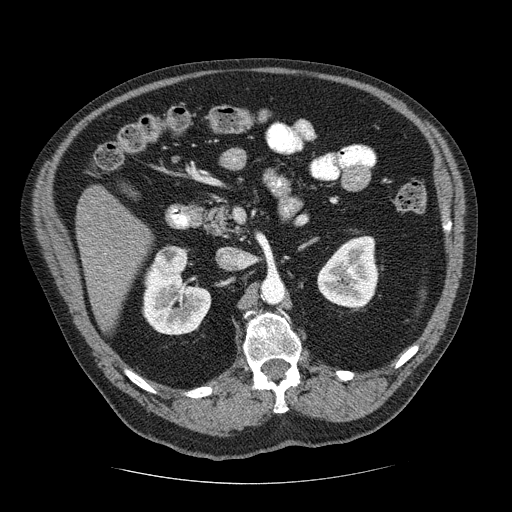
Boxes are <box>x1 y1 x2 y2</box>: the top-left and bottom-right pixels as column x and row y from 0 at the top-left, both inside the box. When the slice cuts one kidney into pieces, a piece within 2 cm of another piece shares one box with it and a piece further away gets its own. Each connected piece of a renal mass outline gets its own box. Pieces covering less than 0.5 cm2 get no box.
This is axial slice 141 of 206 (slice 1 is the lowest) of an abdominal CT with contrast; each pixel is 0.879 mm and the slice is 2.50 mm thick. Two kidney boxes and one renal mass box on this slice; by box centre, from the image's left to its right: (1) Right renal mass at <box>152 244 187 279</box> (outlined area 901 px, about 7.0 cm2). (2) At <box>141 264 211 335</box>: right kidney (outlined area 3,401 px, about 26.3 cm2). (3) Left kidney at <box>317 235 378 308</box> (outlined area 3,384 px, about 26.1 cm2).
Scan settings: 120 kVp, STANDARD reconstruction kernel.